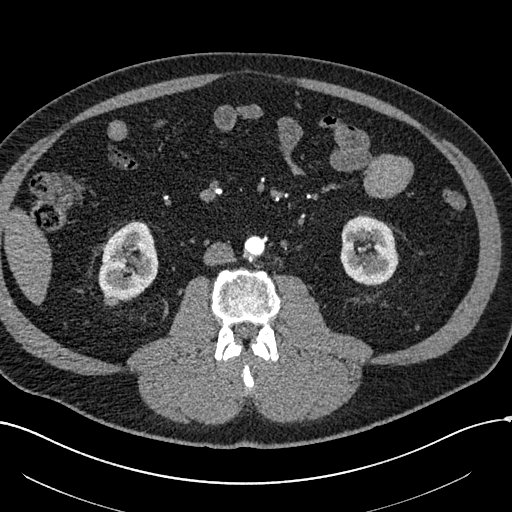
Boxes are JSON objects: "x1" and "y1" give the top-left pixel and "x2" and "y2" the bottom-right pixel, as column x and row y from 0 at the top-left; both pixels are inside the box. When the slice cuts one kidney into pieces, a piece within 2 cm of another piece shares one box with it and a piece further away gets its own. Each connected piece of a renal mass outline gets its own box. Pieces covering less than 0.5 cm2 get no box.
This is axial slice 251 of 602 (slice 1 is the lowest) of an arterial-phase abdominal CT with contrast; each pixel is 0.799 mm and the slice is 1.00 mm thick. Three boxes on this slice (two kidney boxes and one renal mass box), listed by box centre from the image's left to its right. (1) Box {"x1": 104, "y1": 294, "x2": 118, "y2": 306}: right renal mass (outlined area 148 px, about 0.9 cm2). (2) Box {"x1": 98, "y1": 221, "x2": 158, "y2": 301}: right kidney (outlined area 3,575 px, about 22.8 cm2). (3) Box {"x1": 340, "y1": 214, "x2": 398, "y2": 285}: left kidney (outlined area 3,290 px, about 21.0 cm2).
Scan settings: 120 kVp, I30f reconstruction kernel.